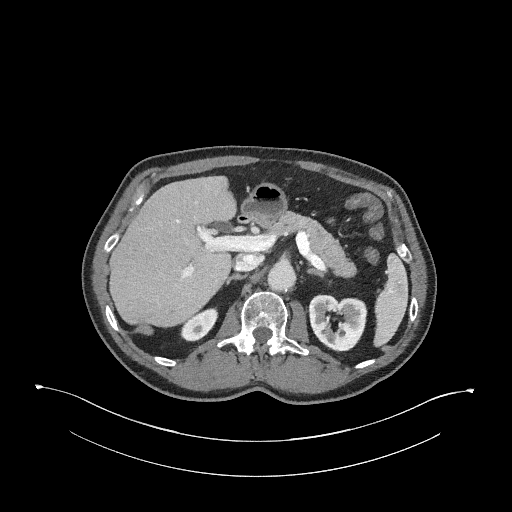
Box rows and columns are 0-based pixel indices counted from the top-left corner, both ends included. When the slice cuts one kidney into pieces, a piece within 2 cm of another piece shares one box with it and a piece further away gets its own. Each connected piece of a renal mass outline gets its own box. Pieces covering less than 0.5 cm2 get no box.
Slice 172/345 of a contrast-enhanced abdominal CT in the arterial phase, counting up from the lowest; pixel size 0.977 mm, slice thickness 2.00 mm. Two kidney boxes on this slice; by box centre, from the image's left to its right: (1) Box rows 307–341, columns 180–218: right kidney (outlined area 853 px, about 8.1 cm2). (2) Left kidney, box rows 294–352, columns 307–367 (outlined area 2,640 px, about 25.2 cm2). No renal mass outline on this slice.
Acquired at 120 kVp and reconstructed with the I31f kernel.